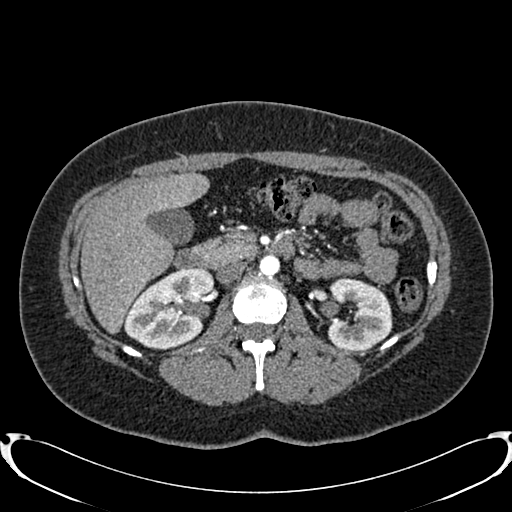
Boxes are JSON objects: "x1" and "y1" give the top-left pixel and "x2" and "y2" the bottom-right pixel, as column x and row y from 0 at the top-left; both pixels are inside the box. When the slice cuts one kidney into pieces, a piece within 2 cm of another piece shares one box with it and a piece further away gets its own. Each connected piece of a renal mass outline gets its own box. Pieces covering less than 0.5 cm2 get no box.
This is axial slice 478 of 719 (slice 1 is the lowest) of an arterial-phase abdominal CT with contrast; each pixel is 0.766 mm and the slice is 1.00 mm thick. Two kidney boxes on this slice; by box centre, from the image's left to its right: (1) Right kidney, box {"x1": 123, "y1": 268, "x2": 214, "y2": 349} (outlined area 5,305 px, about 31.1 cm2). (2) Box {"x1": 328, "y1": 277, "x2": 392, "y2": 352}: left kidney (outlined area 3,715 px, about 21.8 cm2). No renal mass outline on this slice.
Tube voltage 120 kVp; convolution kernel B20f.